One axial slice (70 of 79, counting up from the lowest) of an arterial-phase abdominal CT acquired with 120 kVp, kernel FC11; each pixel is 0.686 mm and the slice is 5.00 mm thick.
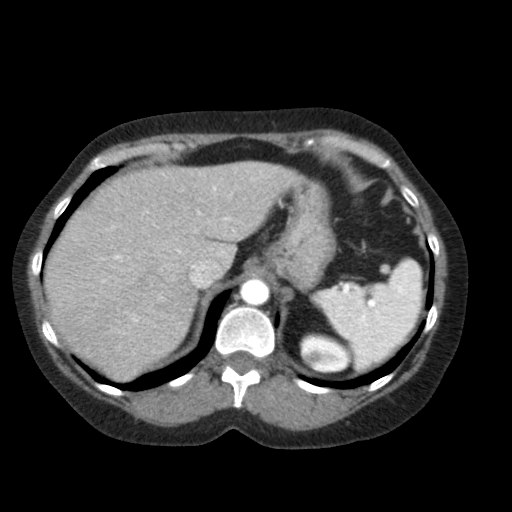
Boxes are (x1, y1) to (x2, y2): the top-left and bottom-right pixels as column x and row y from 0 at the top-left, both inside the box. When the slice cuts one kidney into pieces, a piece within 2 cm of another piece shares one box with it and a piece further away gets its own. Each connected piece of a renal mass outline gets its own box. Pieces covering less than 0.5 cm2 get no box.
Two boxes on this slice (one kidney box and one renal mass box), listed by box centre from the image's left to its right. (1) Box (302, 350) to (320, 367): left renal mass (outlined area 242 px, about 1.1 cm2). (2) Box (299, 333) to (348, 373): left kidney (outlined area 1,362 px, about 6.4 cm2).